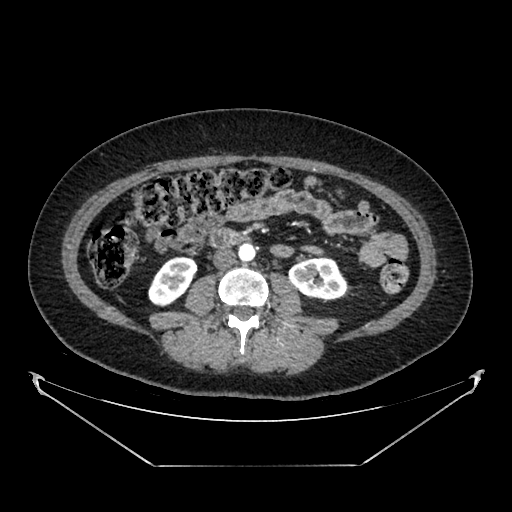
Abdominal CT with intravenous contrast, arterial phase, axial plane, 100 kVp, kernel SOFT. Slice 198/383 from the bottom of the scan; thickness 1.25 mm; pixel size 0.898 mm.
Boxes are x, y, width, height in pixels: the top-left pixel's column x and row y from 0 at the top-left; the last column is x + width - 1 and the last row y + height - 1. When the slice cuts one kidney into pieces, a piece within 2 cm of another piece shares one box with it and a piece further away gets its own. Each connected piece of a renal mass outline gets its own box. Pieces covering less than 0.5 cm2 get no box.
Two kidney boxes on this slice; by box centre, from the image's left to its right: (1) Right kidney, box x 148, y 256, width 49, height 51 (outlined area 1,699 px, about 13.7 cm2). (2) Left kidney at x 288, y 257, width 60, height 42 (outlined area 1,937 px, about 15.6 cm2). No renal mass outline on this slice.